Abdominal CT with intravenous contrast, arterial phase, axial plane, 120 kVp, kernel I30f. Slice 339/527 from the bottom of the scan; thickness 1.00 mm; pixel size 0.859 mm.
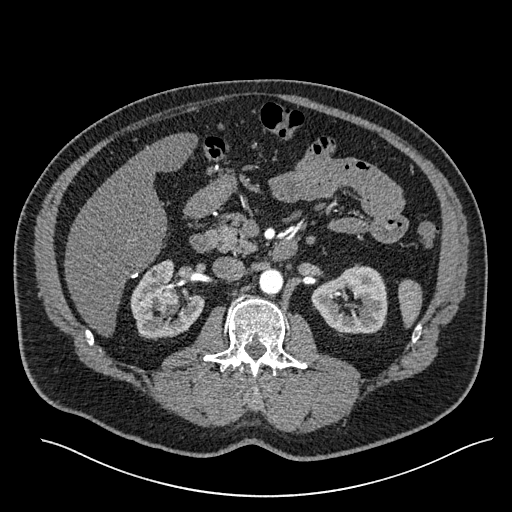
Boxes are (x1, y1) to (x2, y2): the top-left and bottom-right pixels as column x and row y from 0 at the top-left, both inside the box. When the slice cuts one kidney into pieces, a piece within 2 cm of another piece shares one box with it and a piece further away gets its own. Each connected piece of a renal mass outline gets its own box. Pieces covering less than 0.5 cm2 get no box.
Boxed on this slice (two kidney boxes and one renal mass box), listed by box centre from the image's left to its right: (1) Right kidney from (130, 259) to (203, 340) (outlined area 3,626 px, about 26.8 cm2). (2) Right renal mass from (157, 288) to (178, 306) (outlined area 370 px, about 2.7 cm2). (3) Left kidney, box (311, 265) to (387, 335) (outlined area 3,900 px, about 28.8 cm2).